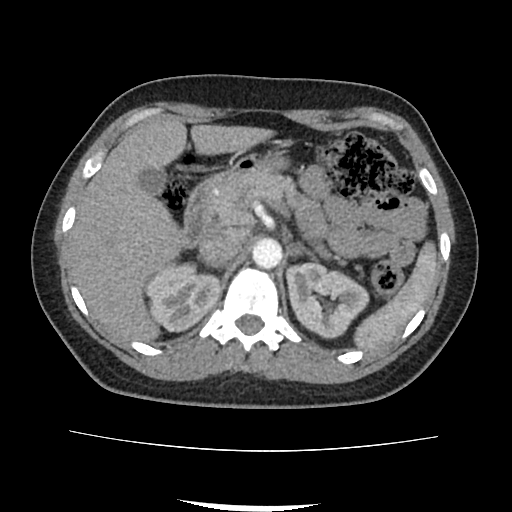
One axial slice (65 of 103, counting up from the lowest) of a contrast-enhanced abdominal CT acquired with 120 kVp, kernel FC18; each pixel is 0.714 mm and the slice is 3.00 mm thick.
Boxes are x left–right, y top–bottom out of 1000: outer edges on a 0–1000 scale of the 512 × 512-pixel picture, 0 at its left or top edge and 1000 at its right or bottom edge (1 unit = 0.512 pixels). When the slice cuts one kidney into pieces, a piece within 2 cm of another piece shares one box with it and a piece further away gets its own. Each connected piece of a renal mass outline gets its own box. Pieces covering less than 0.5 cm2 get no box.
Two kidney boxes on this slice; by box centre, from the image's left to its right: (1) Right kidney at x 283–438, y 508–650 out of 1000 (outlined area 3,968 px, about 20.2 cm2). (2) Left kidney at x 555–723, y 510–664 out of 1000 (outlined area 4,598 px, about 23.4 cm2). No renal mass outline on this slice.